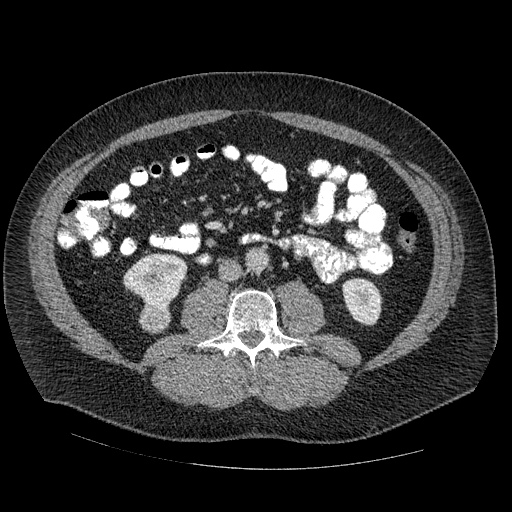
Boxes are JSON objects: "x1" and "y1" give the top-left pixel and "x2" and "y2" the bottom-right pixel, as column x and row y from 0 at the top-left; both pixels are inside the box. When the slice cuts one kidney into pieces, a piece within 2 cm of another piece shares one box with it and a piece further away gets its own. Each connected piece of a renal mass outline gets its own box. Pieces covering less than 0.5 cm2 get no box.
Arterial-phase contrast-enhanced abdominal CT, axial slice 241 of 445 (counted from the lowest slice); 1.25 mm thick, 0.863 mm per pixel. Two kidney boxes and one renal mass box on this slice; by box centre, from the image's left to its right: (1) Box {"x1": 122, "y1": 252, "x2": 187, "y2": 308}: right kidney (outlined area 2,564 px, about 19.1 cm2). (2) Box {"x1": 139, "y1": 304, "x2": 171, "y2": 333}: right renal mass (outlined area 778 px, about 5.8 cm2). (3) Left kidney at {"x1": 342, "y1": 278, "x2": 382, "y2": 325} (outlined area 1,490 px, about 11.1 cm2).
Tube voltage 120 kVp; convolution kernel STANDARD.